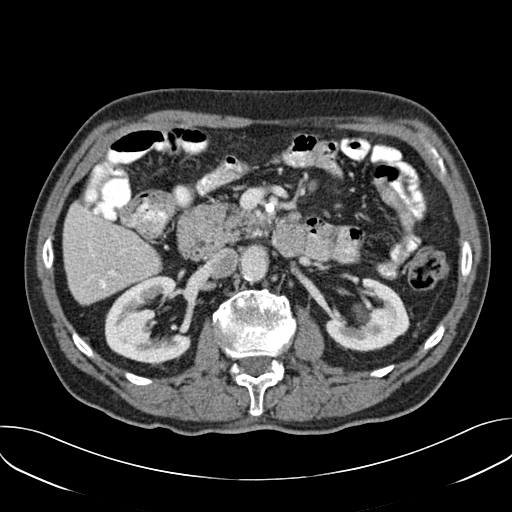
Abdominal CT with intravenous contrast, arterial phase, axial plane, 120 kVp, kernel B30f. Slice 104/157 from the bottom of the scan; thickness 3.00 mm; pixel size 0.742 mm.
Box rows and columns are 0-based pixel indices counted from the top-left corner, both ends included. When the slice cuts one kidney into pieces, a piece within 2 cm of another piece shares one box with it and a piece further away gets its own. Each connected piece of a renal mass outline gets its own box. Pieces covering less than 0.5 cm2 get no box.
Two kidney boxes on this slice; by box centre, from the image's left to its right: (1) Right kidney, box rows 275–366, columns 104–190 (outlined area 5,063 px, about 27.9 cm2). (2) Left kidney at rows 277–351, columns 325–409 (outlined area 3,839 px, about 21.1 cm2). No renal mass is outlined on this slice.